Abdominal CT with intravenous contrast, arterial phase, axial plane, 140 kVp, kernel I30f. Slice 370/673 from the bottom of the scan; thickness 1.00 mm; pixel size 0.957 mm.
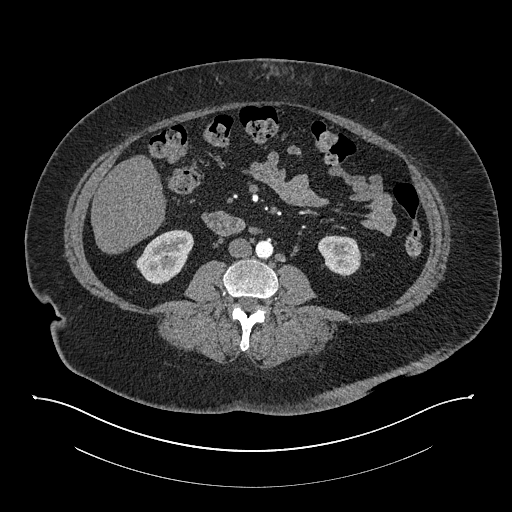
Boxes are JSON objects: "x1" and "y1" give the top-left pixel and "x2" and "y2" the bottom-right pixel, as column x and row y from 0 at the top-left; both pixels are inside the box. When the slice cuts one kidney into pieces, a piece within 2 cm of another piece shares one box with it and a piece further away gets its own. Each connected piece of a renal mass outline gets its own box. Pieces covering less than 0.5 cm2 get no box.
Boxed on this slice (two kidney boxes), listed by box centre from the image's left to its right: (1) Right kidney, box {"x1": 135, "y1": 229, "x2": 194, "y2": 284} (outlined area 2,170 px, about 19.9 cm2). (2) Left kidney at {"x1": 318, "y1": 235, "x2": 361, "y2": 276} (outlined area 1,380 px, about 12.6 cm2). No renal mass is outlined on this slice.